Axial slice 293 of 538 of a contrast-enhanced abdominal CT in the arterial phase (slice 1 is the lowest), 120 kVp, kernel B30f; 1.00 mm slice thickness and 0.811 mm pixels.
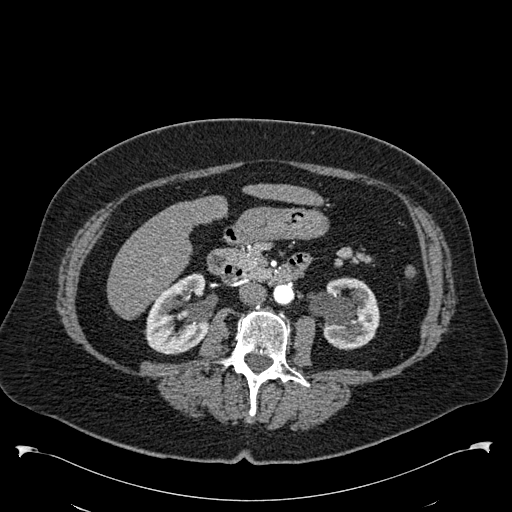
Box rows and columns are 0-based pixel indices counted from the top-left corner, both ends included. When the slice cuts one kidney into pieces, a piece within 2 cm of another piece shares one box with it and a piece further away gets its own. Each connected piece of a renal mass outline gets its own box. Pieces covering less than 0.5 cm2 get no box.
Two boxes on this slice (two kidney boxes), listed by box centre from the image's left to its right. (1) Box rows 273–354, columns 144–208: right kidney (outlined area 3,739 px, about 24.6 cm2). (2) Left kidney, box rows 277–350, columns 309–379 (outlined area 3,645 px, about 23.9 cm2). No renal mass outline on this slice.